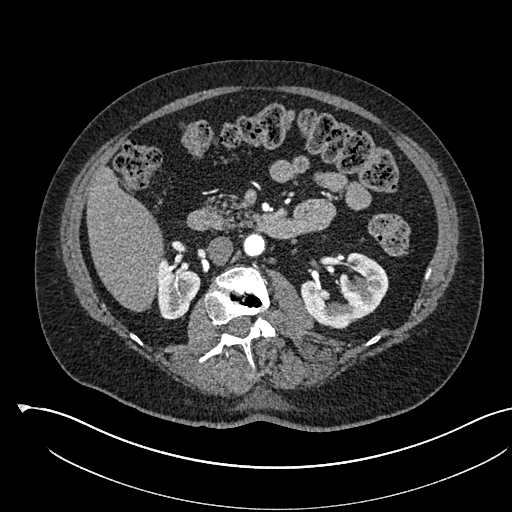
Axial slice 318 of 541 of a contrast-enhanced abdominal CT in the arterial phase (slice 1 is the lowest), 120 kVp, kernel I30f; 1.00 mm slice thickness and 0.834 mm pixels.
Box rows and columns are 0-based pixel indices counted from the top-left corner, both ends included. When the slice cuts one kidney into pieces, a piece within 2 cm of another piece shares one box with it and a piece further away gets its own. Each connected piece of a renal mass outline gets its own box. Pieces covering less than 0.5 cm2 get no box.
Boxed on this slice (two kidney boxes), listed by box centre from the image's left to its right: (1) Right kidney, box rows 255–319, columns 155–200 (outlined area 2,063 px, about 14.3 cm2). (2) Left kidney, box rows 252–329, columns 300–388 (outlined area 4,145 px, about 28.8 cm2). This slice carries no renal mass outline.